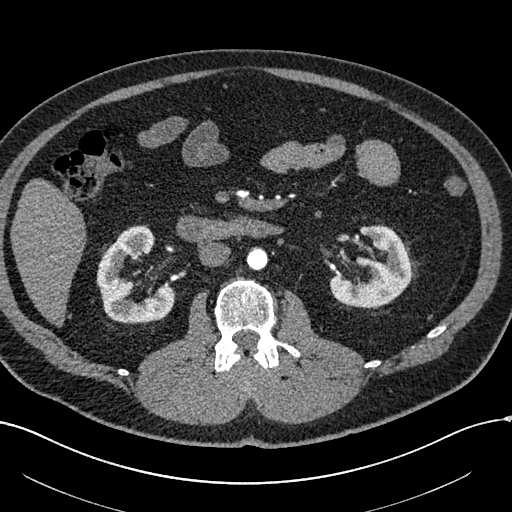
Abdominal CT with intravenous contrast, arterial phase, axial plane, 120 kVp, kernel I30f. Slice 315/602 from the bottom of the scan; thickness 1.00 mm; pixel size 0.799 mm.
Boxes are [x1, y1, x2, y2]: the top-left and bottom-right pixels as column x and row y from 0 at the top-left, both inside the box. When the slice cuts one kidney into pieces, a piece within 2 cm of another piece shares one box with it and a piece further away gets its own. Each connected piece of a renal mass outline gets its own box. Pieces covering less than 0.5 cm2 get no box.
Two boxes on this slice (two kidney boxes), listed by box centre from the image's left to its right. (1) Right kidney at [96, 225, 175, 323] (outlined area 4,628 px, about 29.5 cm2). (2) Box [329, 225, 411, 308]: left kidney (outlined area 4,446 px, about 28.4 cm2). No renal mass is outlined on this slice.